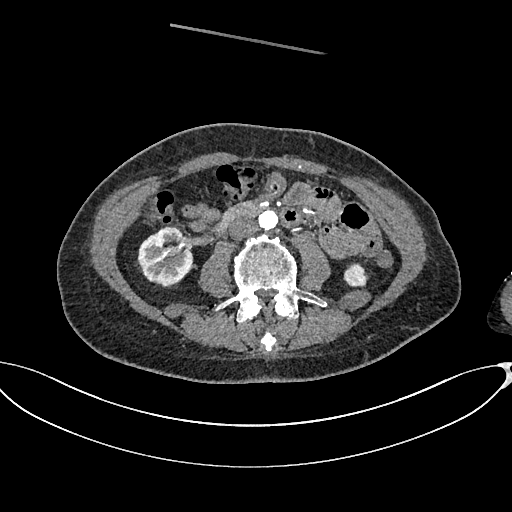
Arterial-phase contrast-enhanced abdominal CT, axial slice 313 of 665 (counted from the lowest slice); tube voltage 100 kVp, convolution kernel I26f; slices 1.00 mm thick, 0.828 mm per pixel.
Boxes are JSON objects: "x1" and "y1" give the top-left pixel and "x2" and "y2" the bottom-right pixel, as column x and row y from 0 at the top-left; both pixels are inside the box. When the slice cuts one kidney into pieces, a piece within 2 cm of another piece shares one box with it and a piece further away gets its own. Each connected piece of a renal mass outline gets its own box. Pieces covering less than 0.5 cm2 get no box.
Two kidney boxes on this slice; by box centre, from the image's left to its right: (1) Box {"x1": 135, "y1": 227, "x2": 193, "y2": 287}: right kidney (outlined area 2,530 px, about 17.4 cm2). (2) Box {"x1": 343, "y1": 262, "x2": 368, "y2": 286}: left kidney (outlined area 476 px, about 3.3 cm2). No renal mass outline on this slice.